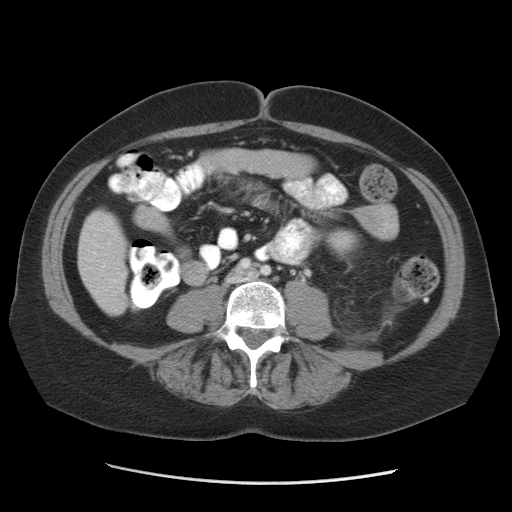
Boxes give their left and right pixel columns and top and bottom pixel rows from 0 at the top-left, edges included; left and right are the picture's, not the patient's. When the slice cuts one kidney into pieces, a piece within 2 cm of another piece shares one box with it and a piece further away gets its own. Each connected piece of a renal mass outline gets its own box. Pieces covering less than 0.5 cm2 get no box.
This is axial slice 41 of 84 (slice 1 is the lowest) of an abdominal CT with contrast; each pixel is 0.717 mm and the slice is 5.00 mm thick. Left kidney, the box with left 323, top 227, right 361, bottom 261 (outlined area 960 px, about 4.9 cm2). This slice carries no renal mass outline.
Acquired at 140 kVp and reconstructed with the STANDARD kernel.